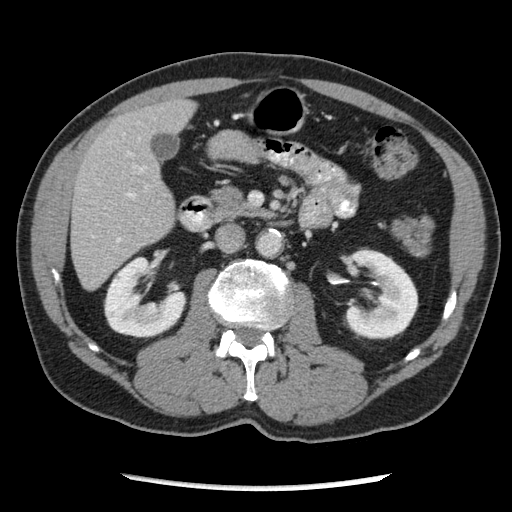
Abdominal CT with intravenous contrast, arterial phase, axial plane, 120 kVp, kernel STANDARD. Slice 120/262 from the bottom of the scan; thickness 2.50 mm; pixel size 0.703 mm.
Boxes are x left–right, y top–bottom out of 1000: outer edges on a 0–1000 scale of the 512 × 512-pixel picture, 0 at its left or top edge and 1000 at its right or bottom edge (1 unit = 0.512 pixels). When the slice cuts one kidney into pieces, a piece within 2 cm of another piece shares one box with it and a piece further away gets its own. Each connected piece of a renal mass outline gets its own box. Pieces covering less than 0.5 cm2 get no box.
Boxed on this slice (two kidney boxes), listed by box centre from the image's left to its right: (1) Right kidney, box x 203–365, y 500–660 out of 1000 (outlined area 4,457 px, about 22.0 cm2). (2) Box x 674–818, y 486–664 out of 1000: left kidney (outlined area 4,796 px, about 23.7 cm2). No renal mass is outlined on this slice.